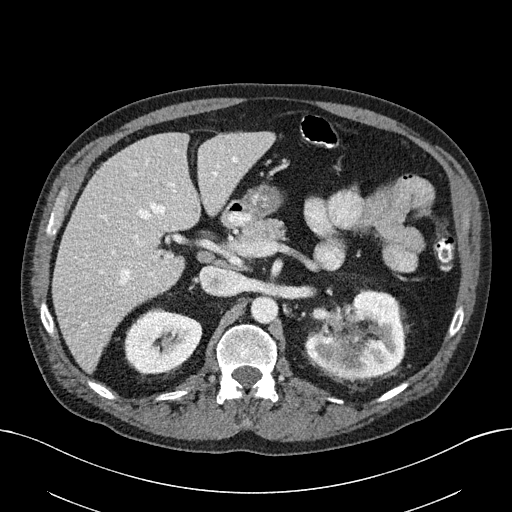
Axial slice 121 of 163 of a contrast-enhanced abdominal CT (slice 1 is the lowest), 100 kVp, kernel I40f; 3.00 mm slice thickness and 0.799 mm pixels.
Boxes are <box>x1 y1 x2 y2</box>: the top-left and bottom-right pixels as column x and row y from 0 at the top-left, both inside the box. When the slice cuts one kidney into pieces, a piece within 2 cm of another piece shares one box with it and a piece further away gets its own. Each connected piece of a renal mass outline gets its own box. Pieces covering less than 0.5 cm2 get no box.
Boxed on this slice (two kidney boxes), listed by box centre from the image's left to its right: (1) Right kidney at <box>124 308 201 374</box> (outlined area 3,872 px, about 24.7 cm2). (2) At <box>305 290 407 381</box>: left kidney (outlined area 6,723 px, about 42.9 cm2). This slice carries no renal mass outline.